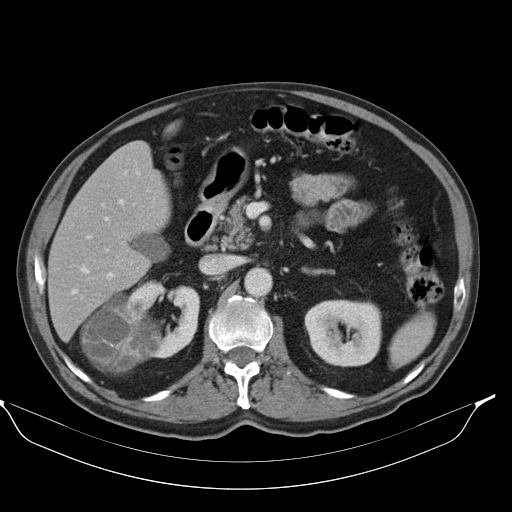
Abdominal CT with intravenous contrast, axial plane, 130 kVp, kernel B30s. Slice 63/98 from the bottom of the scan; thickness 5.00 mm; pixel size 0.840 mm.
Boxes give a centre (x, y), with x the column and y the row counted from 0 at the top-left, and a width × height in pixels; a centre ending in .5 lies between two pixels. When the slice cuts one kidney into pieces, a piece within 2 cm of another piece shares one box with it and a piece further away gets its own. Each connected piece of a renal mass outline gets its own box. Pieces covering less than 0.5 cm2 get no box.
Boxed on this slice (two kidney boxes and one renal mass box), listed by box centre from the image's left to its right: (1) Box centre (120, 333), 81 × 83 pixels: right renal mass (outlined area 4,479 px, about 31.6 cm2). (2) Box centre (162, 319), 75 × 79 pixels: right kidney (outlined area 2,892 px, about 20.4 cm2). (3) Left kidney, box centre (342.5, 333), 78 × 69 pixels (outlined area 4,382 px, about 30.9 cm2).